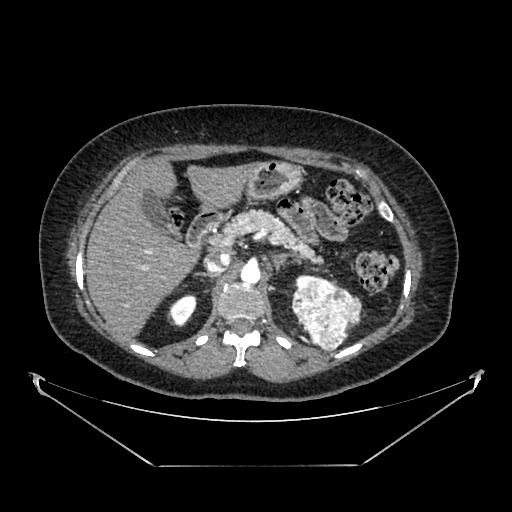
Arterial-phase contrast-enhanced abdominal CT, axial slice 264 of 383 (counted from the lowest slice); tube voltage 100 kVp, convolution kernel SOFT; slices 1.25 mm thick, 0.898 mm per pixel.
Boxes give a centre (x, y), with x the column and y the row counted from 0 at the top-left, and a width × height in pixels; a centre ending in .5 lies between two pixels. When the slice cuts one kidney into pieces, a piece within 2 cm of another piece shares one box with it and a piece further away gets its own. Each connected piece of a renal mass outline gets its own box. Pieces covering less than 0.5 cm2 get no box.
Boxed on this slice (two kidney boxes and one renal mass box), listed by box centre from the image's left to its right: (1) Right kidney in a box with centre (182, 310), 31 × 33 pixels (outlined area 694 px, about 5.6 cm2). (2) Left kidney, box centre (305.5, 281), 24 × 13 pixels (outlined area 128 px, about 1.0 cm2). (3) Box centre (325.5, 314), 72 × 75 pixels: left renal mass (outlined area 3,605 px, about 29.1 cm2).